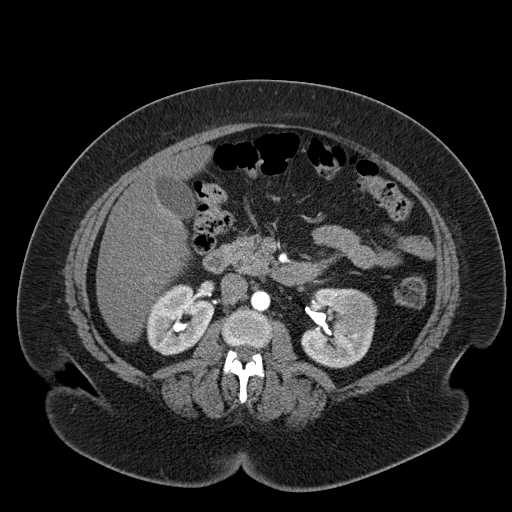
Abdominal CT with intravenous contrast, axial plane, 120 kVp, kernel B30f. Slice 34/55 from the bottom of the scan; thickness 5.00 mm; pixel size 0.908 mm.
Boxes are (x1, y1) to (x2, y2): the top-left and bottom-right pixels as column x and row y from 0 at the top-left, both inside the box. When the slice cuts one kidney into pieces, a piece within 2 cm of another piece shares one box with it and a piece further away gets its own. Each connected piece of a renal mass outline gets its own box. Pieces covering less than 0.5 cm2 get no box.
Boxed on this slice (two kidney boxes and one renal mass box), listed by box centre from the image's left to its right: (1) Box (146, 284) to (213, 355): right kidney (outlined area 3,431 px, about 28.3 cm2). (2) Left kidney from (300, 288) to (374, 368) (outlined area 3,174 px, about 26.2 cm2). (3) Left renal mass, box (329, 291) to (376, 336) (outlined area 1,664 px, about 13.7 cm2).